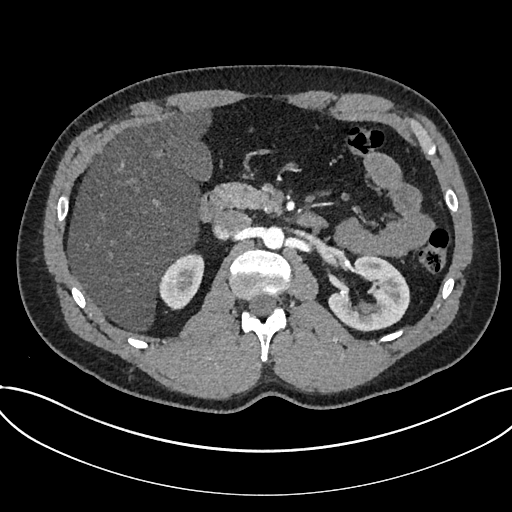
One axial slice (453 of 735, counting up from the lowest) of an arterial-phase abdominal CT acquired with 120 kVp, kernel I30f; each pixel is 0.789 mm and the slice is 1.00 mm thick.
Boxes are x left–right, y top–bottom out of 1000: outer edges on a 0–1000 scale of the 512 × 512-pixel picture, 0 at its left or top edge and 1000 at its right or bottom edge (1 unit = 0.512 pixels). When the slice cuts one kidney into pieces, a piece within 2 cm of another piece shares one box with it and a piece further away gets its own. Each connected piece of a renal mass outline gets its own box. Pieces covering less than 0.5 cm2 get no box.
Two boxes on this slice (two kidney boxes), listed by box centre from the image's left to its right. (1) Kidney, box x 309–400, y 492–607 out of 1000 (outlined area 1,866 px, about 11.6 cm2). (2) Kidney, box x 641–803, y 498–650 out of 1000 (outlined area 4,020 px, about 25.0 cm2). No renal mass outline on this slice.